Abdominal CT with intravenous contrast, arterial phase, axial plane, 120 kVp, kernel B30f. Slice 299/581 from the bottom of the scan; thickness 1.00 mm; pixel size 0.713 mm.
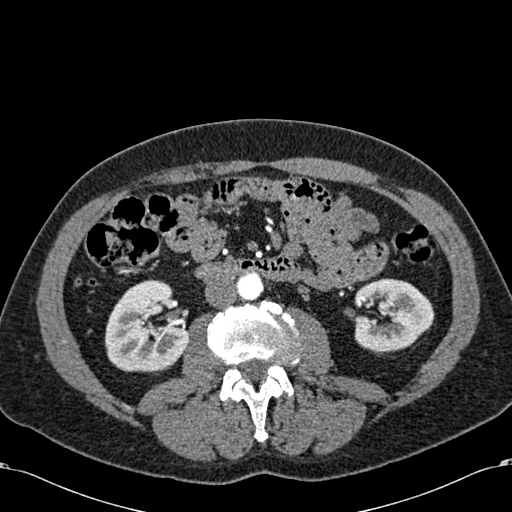
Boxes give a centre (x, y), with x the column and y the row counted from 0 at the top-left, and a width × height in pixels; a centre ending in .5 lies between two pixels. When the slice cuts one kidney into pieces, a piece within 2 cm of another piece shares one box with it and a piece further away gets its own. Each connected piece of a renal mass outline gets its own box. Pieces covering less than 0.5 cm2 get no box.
Boxed on this slice (two kidney boxes), listed by box centre from the image's left to its right: (1) Right kidney, box centre (147, 325.5), 85 × 94 pixels (outlined area 5,934 px, about 30.2 cm2). (2) Left kidney in a box with centre (393.5, 314.5), 82 × 74 pixels (outlined area 4,492 px, about 22.8 cm2). No renal mass is outlined on this slice.